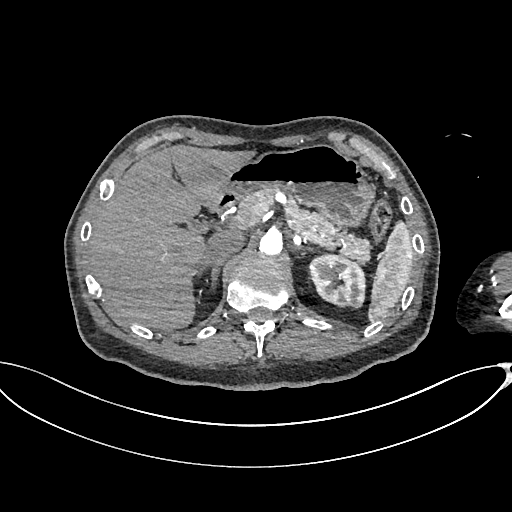
Axial slice 479 of 665 of a contrast-enhanced abdominal CT in the arterial phase (slice 1 is the lowest), 100 kVp, kernel I26f; 1.00 mm slice thickness and 0.828 mm pixels.
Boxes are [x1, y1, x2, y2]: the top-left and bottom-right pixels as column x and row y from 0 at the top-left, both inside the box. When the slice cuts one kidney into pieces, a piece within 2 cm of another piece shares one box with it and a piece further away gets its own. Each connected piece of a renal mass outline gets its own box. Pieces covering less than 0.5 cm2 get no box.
Box [308, 253, 366, 309]: left kidney (outlined area 2,494 px, about 17.1 cm2). No renal mass is outlined on this slice.